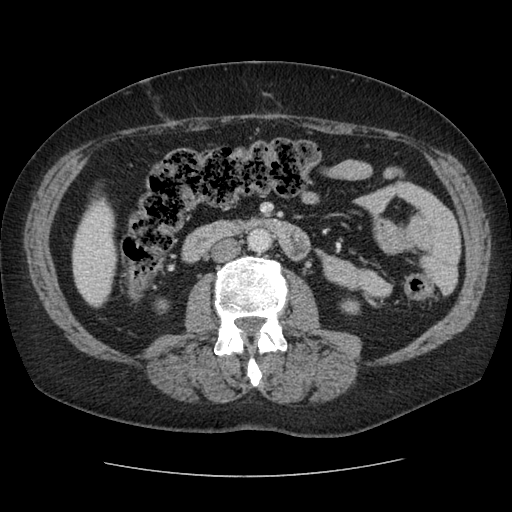
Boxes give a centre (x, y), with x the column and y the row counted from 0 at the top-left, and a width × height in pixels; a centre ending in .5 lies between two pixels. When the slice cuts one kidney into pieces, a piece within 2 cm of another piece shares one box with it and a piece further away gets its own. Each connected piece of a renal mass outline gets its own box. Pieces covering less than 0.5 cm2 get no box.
Slice 31/96 of a contrast-enhanced abdominal CT in the arterial phase, counting up from the lowest; pixel size 0.689 mm, slice thickness 2.50 mm. Two boxes on this slice (two kidney boxes), listed by box centre from the image's left to its right. (1) Box centre (161.5, 306), 16 × 17 pixels: right kidney (outlined area 175 px, about 0.8 cm2). (2) Left kidney in a box with centre (350, 306), 21 × 17 pixels (outlined area 280 px, about 1.3 cm2). This slice carries no renal mass outline.
Acquired at 120 kVp and reconstructed with the STANDARD kernel.